Abdominal CT with intravenous contrast, arterial phase, axial plane, 120 kVp, kernel I30f. Slice 321/705 from the bottom of the scan; thickness 1.00 mm; pixel size 0.703 mm.
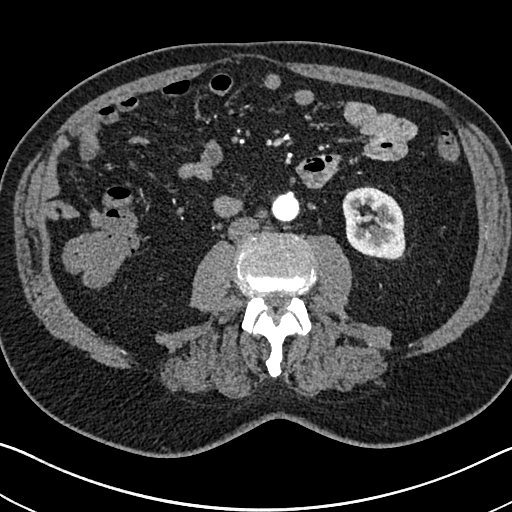
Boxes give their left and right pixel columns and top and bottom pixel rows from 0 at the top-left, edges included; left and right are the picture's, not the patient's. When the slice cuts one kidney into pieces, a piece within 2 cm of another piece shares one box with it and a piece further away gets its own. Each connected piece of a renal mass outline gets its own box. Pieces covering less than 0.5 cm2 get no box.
Box with left 342, top 186, right 405, bottom 259: left kidney (outlined area 3,666 px, about 18.1 cm2). This slice carries no renal mass outline.